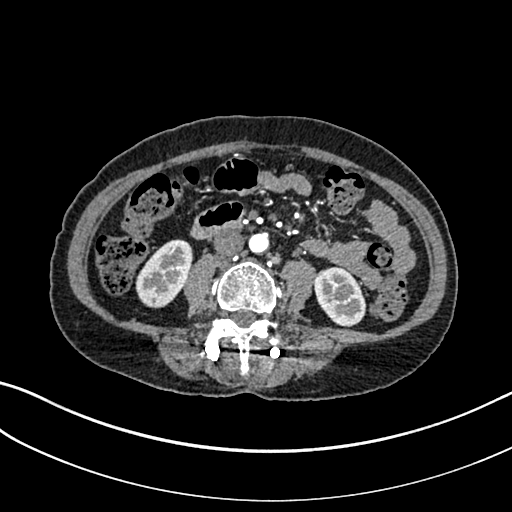
Abdominal CT with intravenous contrast, arterial phase, axial plane, 100 kVp, kernel I30f. Slice 81/325 from the bottom of the scan; thickness 1.00 mm; pixel size 0.703 mm.
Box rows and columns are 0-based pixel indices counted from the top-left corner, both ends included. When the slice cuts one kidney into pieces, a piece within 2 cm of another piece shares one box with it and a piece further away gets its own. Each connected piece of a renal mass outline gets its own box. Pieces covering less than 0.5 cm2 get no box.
Two kidney boxes on this slice; by box centre, from the image's left to its right: (1) Box rows 239–308, columns 135–193: right kidney (outlined area 2,727 px, about 13.5 cm2). (2) Box rows 266–326, columns 313–366: left kidney (outlined area 2,369 px, about 11.7 cm2). No renal mass is outlined on this slice.